Abdominal CT with intravenous contrast, arterial phase, axial plane, 120 kVp, kernel B30f. Slice 28/70 from the bottom of the scan; thickness 5.00 mm; pixel size 0.977 mm.
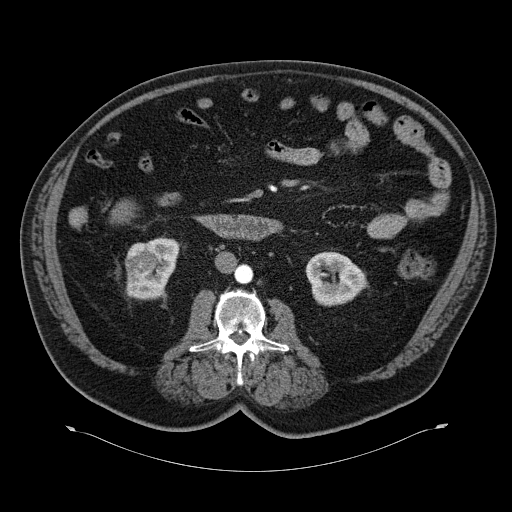
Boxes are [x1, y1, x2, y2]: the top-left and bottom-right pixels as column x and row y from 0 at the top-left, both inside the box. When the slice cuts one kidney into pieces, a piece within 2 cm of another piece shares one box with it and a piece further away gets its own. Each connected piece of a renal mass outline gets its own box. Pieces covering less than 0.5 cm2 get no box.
Two kidney boxes and one renal mass box on this slice; by box centre, from the image's left to its right: (1) Right renal mass at [125, 242, 158, 277] (outlined area 964 px, about 9.2 cm2). (2) Right kidney, box [125, 236, 178, 299] (outlined area 1,754 px, about 16.7 cm2). (3) Left kidney, box [305, 252, 368, 306] (outlined area 2,474 px, about 23.6 cm2).